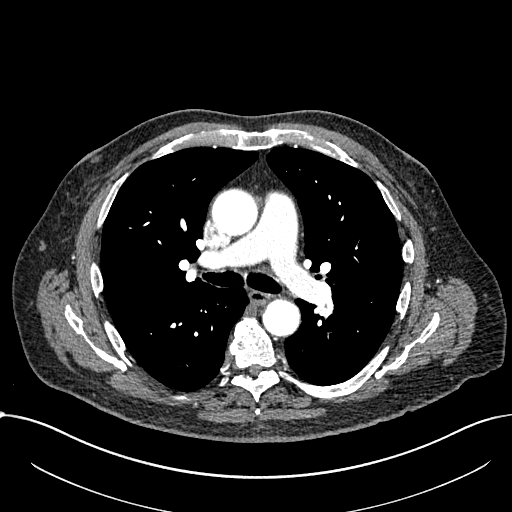
Slice 817/1059 of a contrast-enhanced abdominal CT in the arterial phase, counting up from the lowest; pixel size 0.811 mm, slice thickness 1.00 mm. Outside the outlined region: no kidney outline and no renal mass outline on this slice. The scan's outlines cover only kidneys and renal masses; no other organ is outlined.
Tube voltage 100 kVp; convolution kernel I30f.